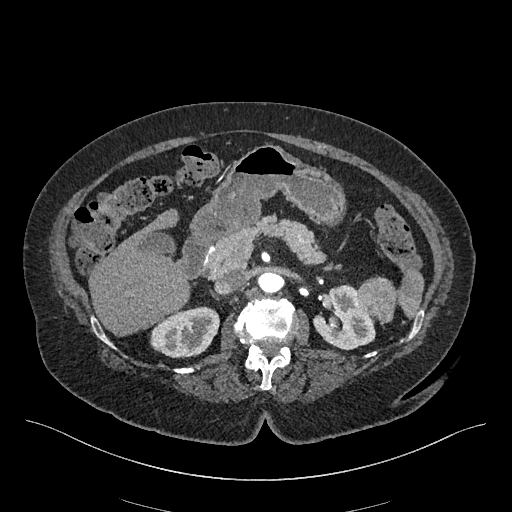
Arterial-phase contrast-enhanced abdominal CT, axial slice 284 of 548 (counted from the lowest slice); tube voltage 120 kVp, convolution kernel I26f; slices 1.00 mm thick, 0.852 mm per pixel.
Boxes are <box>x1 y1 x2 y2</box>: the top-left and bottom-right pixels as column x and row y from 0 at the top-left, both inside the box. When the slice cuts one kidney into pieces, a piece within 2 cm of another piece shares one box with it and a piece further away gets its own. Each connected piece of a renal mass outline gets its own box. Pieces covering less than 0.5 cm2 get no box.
Two kidney boxes and one renal mass box on this slice; by box centre, from the image's left to its right: (1) Right kidney: <box>150 306 219 358</box> (outlined area 2,703 px, about 19.6 cm2). (2) At <box>313 286 375 350</box>: left kidney (outlined area 2,787 px, about 20.2 cm2). (3) Left renal mass: <box>358 276 396 323</box> (outlined area 1,357 px, about 9.8 cm2).